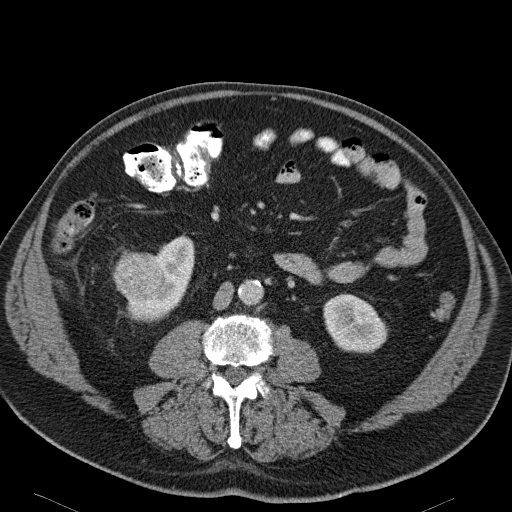
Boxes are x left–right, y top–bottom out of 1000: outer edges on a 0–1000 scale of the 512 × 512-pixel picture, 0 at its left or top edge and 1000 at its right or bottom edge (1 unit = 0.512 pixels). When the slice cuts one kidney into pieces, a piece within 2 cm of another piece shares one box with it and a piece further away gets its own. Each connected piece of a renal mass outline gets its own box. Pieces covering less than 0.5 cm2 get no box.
Slice 70/114 of a contrast-enhanced abdominal CT in the arterial phase, counting up from the lowest; pixel size 0.781 mm, slice thickness 5.00 mm. Boxed on this slice (two kidney boxes and one renal mass box), listed by box centre from the image's left to its right: (1) Right renal mass at x 219–328, y 490–590 out of 1000 (outlined area 2,225 px, about 13.6 cm2). (2) Right kidney at x 246–383, y 459–633 out of 1000 (outlined area 2,697 px, about 16.5 cm2). (3) Left kidney at x 631–760, y 572–691 out of 1000 (outlined area 2,908 px, about 17.7 cm2).
Acquired at 120 kVp and reconstructed with the B31f kernel.